Arterial-phase contrast-enhanced abdominal CT, axial slice 82 of 326 (counted from the lowest slice); tube voltage 120 kVp, convolution kernel B31f; slices 2.00 mm thick, 0.963 mm per pixel.
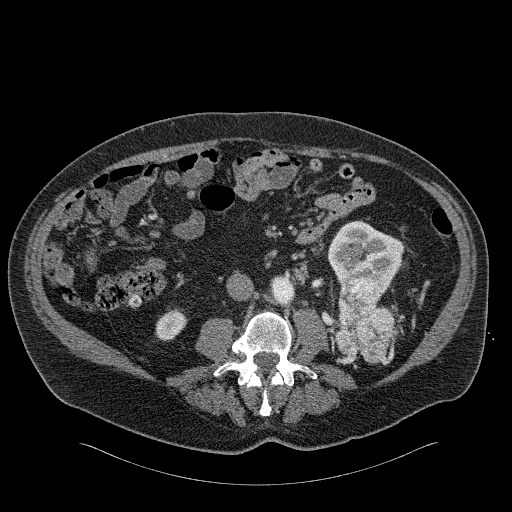
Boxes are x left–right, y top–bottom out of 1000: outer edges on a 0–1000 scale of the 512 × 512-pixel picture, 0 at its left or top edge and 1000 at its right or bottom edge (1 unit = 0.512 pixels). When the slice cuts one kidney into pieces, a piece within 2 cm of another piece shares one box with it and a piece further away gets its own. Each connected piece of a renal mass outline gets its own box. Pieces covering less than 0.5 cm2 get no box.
Boxed on this slice (two kidney boxes and one renal mass box), listed by box centre from the image's left to its right: (1) Right kidney at x 303–367, y 602–666 out of 1000 (outlined area 742 px, about 6.9 cm2). (2) Left renal mass, box x 648–779, y 539–711 out of 1000 (outlined area 4,035 px, about 37.4 cm2). (3) Left kidney at x 639–791, y 430–576 out of 1000 (outlined area 3,673 px, about 34.1 cm2).